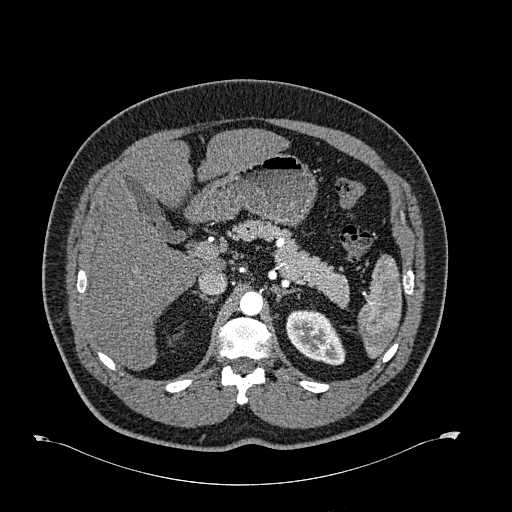
One axial slice (463 of 723, counting up from the lowest) of an arterial-phase abdominal CT acquired with 120 kVp, kernel B30f; each pixel is 0.895 mm and the slice is 1.00 mm thick.
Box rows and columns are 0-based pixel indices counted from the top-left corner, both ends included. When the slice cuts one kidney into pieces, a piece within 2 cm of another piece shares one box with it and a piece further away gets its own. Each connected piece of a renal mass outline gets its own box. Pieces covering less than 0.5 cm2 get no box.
Left kidney, box rows 310–365, columns 286–345 (outlined area 2,352 px, about 18.8 cm2). This slice carries no renal mass outline.